Contrast-enhanced abdominal CT, axial slice 60 of 143 (counted from the lowest slice); tube voltage 100 kVp, convolution kernel I41f; slices 5.00 mm thick, 0.734 mm per pixel.
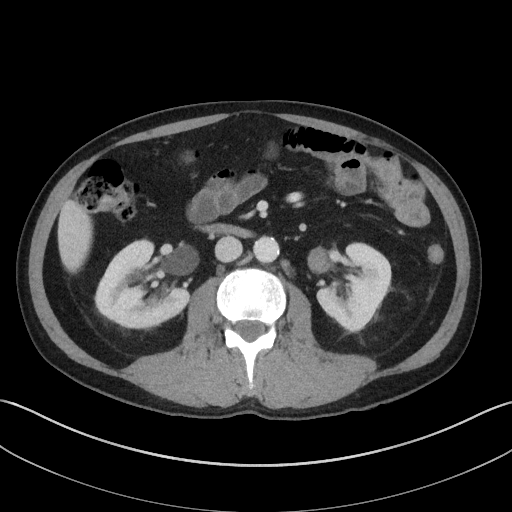
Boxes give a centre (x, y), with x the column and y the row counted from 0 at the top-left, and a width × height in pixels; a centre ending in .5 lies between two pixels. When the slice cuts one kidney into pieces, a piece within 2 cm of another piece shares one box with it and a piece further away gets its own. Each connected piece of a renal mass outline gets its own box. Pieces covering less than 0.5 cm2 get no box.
Boxed on this slice (two kidney boxes), listed by box centre from the image's left to its right: (1) Right kidney in a box with centre (142, 284), 97 × 93 pixels (outlined area 5,977 px, about 32.2 cm2). (2) Box centre (353.5, 287.5), 76 × 92 pixels: left kidney (outlined area 4,494 px, about 24.2 cm2). No renal mass is outlined on this slice.